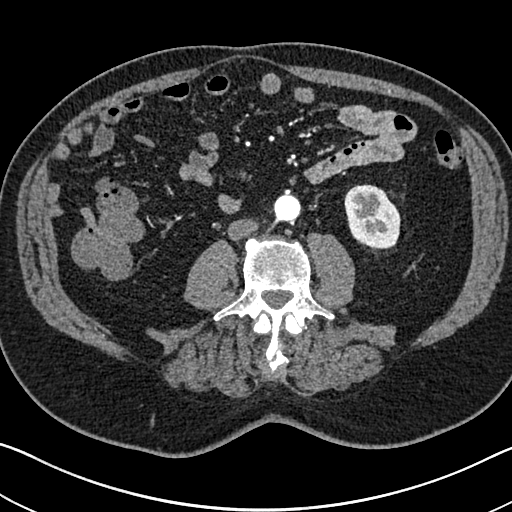
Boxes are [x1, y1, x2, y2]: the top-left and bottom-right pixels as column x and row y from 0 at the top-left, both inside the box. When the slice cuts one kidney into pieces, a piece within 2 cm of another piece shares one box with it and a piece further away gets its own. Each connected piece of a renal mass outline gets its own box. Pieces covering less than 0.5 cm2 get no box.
Arterial-phase contrast-enhanced abdominal CT, axial slice 301 of 705 (counted from the lowest slice); 1.00 mm thick, 0.703 mm per pixel. Box [344, 184, 400, 251]: left kidney (outlined area 2,899 px, about 14.3 cm2). No renal mass is outlined on this slice.
Tube voltage 120 kVp; convolution kernel I30f.